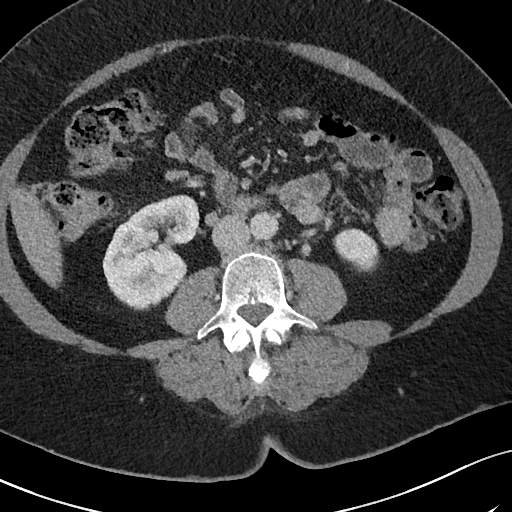
Abdominal CT with intravenous contrast, arterial phase, axial plane, 120 kVp, kernel I40f. Slice 30/69 from the bottom of the scan; thickness 3.00 mm; pixel size 0.664 mm.
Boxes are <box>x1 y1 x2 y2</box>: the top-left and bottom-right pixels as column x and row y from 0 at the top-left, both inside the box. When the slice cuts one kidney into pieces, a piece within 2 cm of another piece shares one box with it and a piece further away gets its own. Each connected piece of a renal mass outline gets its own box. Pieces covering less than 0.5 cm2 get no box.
Boxed on this slice (two kidney boxes), listed by box centre from the image's left to its right: (1) Right kidney: <box>102 194 200 310</box> (outlined area 7,640 px, about 33.7 cm2). (2) Left kidney at <box>332 228 379 272</box> (outlined area 1,487 px, about 6.6 cm2). No renal mass is outlined on this slice.